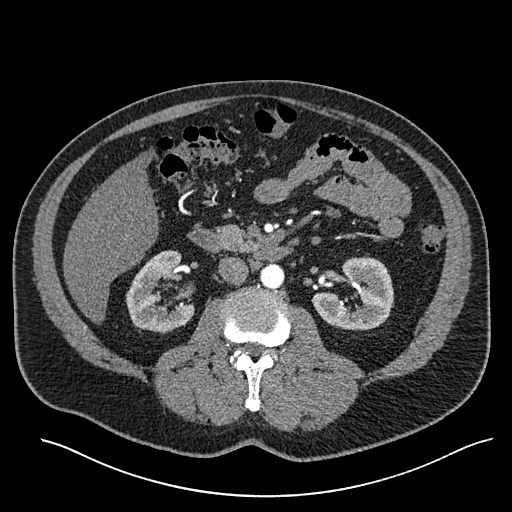
Arterial-phase contrast-enhanced abdominal CT, axial slice 311 of 527 (counted from the lowest slice); tube voltage 120 kVp, convolution kernel I30f; slices 1.00 mm thick, 0.859 mm per pixel.
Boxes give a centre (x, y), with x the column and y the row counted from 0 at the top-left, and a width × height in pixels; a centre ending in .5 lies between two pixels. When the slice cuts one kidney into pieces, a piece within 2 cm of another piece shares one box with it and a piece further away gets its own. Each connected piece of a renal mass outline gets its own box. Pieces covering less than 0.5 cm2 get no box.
Boxed on this slice (two kidney boxes), listed by box centre from the image's left to its right: (1) Box centre (160, 291), 69 × 83 pixels: right kidney (outlined area 3,895 px, about 28.8 cm2). (2) Left kidney, box centre (352, 293), 83 × 75 pixels (outlined area 4,153 px, about 30.7 cm2).